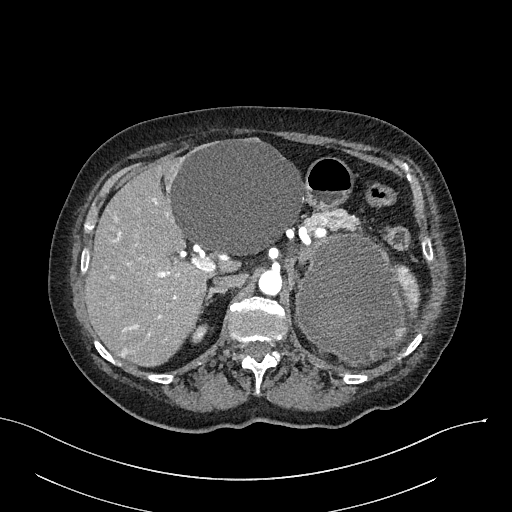
Abdominal CT with intravenous contrast, arterial phase, axial plane, 100 kVp, kernel I40f. Slice 185/316 from the bottom of the scan; thickness 2.00 mm; pixel size 0.840 mm.
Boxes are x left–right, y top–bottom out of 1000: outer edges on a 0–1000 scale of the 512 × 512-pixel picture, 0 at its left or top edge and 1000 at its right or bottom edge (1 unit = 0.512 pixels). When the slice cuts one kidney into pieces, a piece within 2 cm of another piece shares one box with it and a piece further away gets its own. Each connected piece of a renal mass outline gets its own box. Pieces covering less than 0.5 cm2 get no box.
One kidney box and one renal mass box on this slice; by box centre, from the image's left to its right: (1) Right kidney at x 373–408, y 631–672 out of 1000 (outlined area 238 px, about 1.7 cm2). (2) Left renal mass at x 576–801, y 455–719 out of 1000 (outlined area 11,557 px, about 81.5 cm2); on this slice it lies more than 1 cm from any kidney outline, but the same outlined renal mass comes within 1 cm of the kidney on another slice.